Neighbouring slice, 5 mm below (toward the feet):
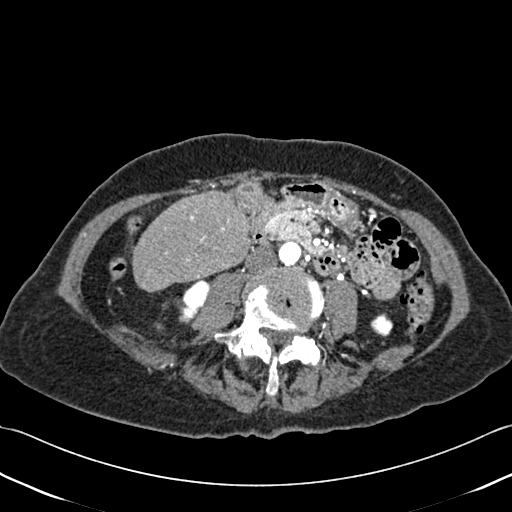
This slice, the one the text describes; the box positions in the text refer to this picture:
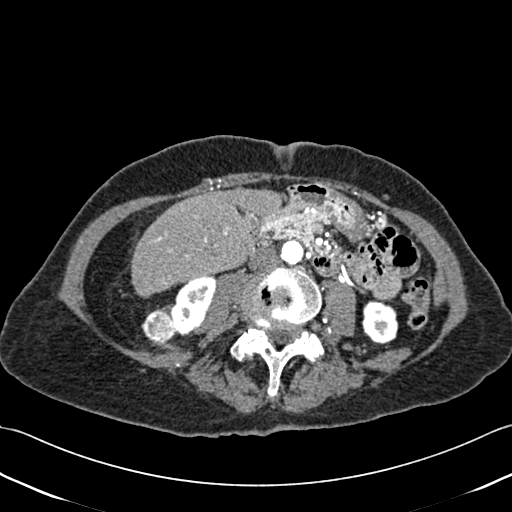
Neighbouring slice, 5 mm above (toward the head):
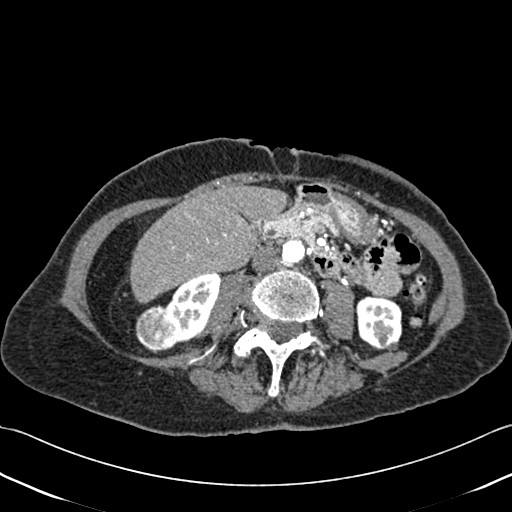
Axial slice 174 of 433 of a contrast-enhanced abdominal CT (slice 1 is the lowest), 120 kVp, kernel B30f; 1.00 mm slice thickness and 0.672 mm pixels.
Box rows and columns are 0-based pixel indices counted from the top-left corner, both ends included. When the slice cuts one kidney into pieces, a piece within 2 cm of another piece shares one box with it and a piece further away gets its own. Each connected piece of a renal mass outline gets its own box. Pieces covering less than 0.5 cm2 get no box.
Two kidney boxes and one renal mass box on this slice; by box centre, from the image's left to its right: (1) Right renal mass, box rows 308–343, columns 141–175 (outlined area 887 px, about 4.0 cm2). (2) Right kidney, box rows 276–336, columns 169–215 (outlined area 1,815 px, about 8.2 cm2). (3) Left kidney, box rows 300–344, columns 362–398 (outlined area 1,300 px, about 5.9 cm2). This slice is near the end of the right renal mass toward the feet, so the slices 5 mm below and 5 mm above it are shown as well; the boxes refer to this slice only.